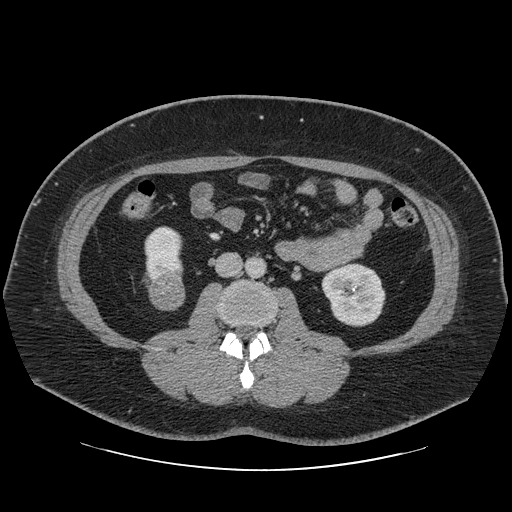
One axial slice (18 of 69, counting up from the lowest) of an arterial-phase abdominal CT acquired with 120 kVp, kernel STANDARD; each pixel is 0.846 mm and the slice is 2.50 mm thick.
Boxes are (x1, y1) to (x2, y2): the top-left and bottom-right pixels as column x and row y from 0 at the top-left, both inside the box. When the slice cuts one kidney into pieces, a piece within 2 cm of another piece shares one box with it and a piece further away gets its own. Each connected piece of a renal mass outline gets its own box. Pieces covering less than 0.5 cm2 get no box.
Two kidney boxes and one renal mass box on this slice; by box centre, from the image's left to its right: (1) Right kidney from (144, 226) to (183, 283) (outlined area 1,700 px, about 12.2 cm2). (2) Right renal mass, box (148, 272) to (185, 310) (outlined area 1,155 px, about 8.3 cm2). (3) Left kidney from (321, 263) to (385, 326) (outlined area 3,124 px, about 22.3 cm2).